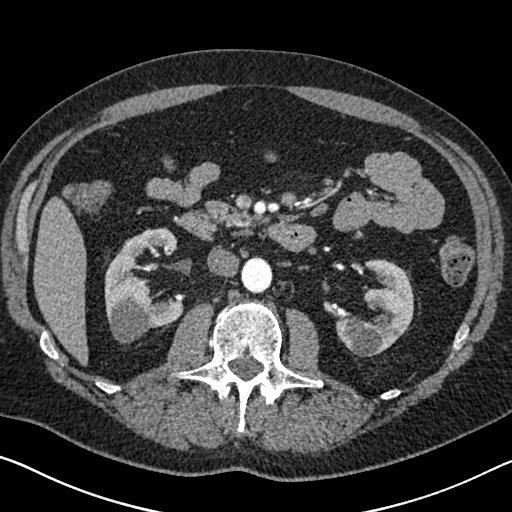
One axial slice (378 of 626, counting up from the lowest) of an arterial-phase abdominal CT acquired with 120 kVp, kernel I30f; each pixel is 0.703 mm and the slice is 1.00 mm thick.
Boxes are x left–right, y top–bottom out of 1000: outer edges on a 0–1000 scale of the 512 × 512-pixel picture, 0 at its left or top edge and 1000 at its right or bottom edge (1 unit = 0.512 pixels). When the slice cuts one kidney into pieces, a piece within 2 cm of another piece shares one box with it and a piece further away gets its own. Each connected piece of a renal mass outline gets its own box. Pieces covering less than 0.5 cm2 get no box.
Boxed on this slice (two kidney boxes), listed by box centre from the image's left to its right: (1) Right kidney, box x 203–359, y 443–672 out of 1000 (outlined area 5,793 px, about 28.6 cm2). (2) Left kidney, box x 654–809, y 506–697 out of 1000 (outlined area 4,580 px, about 22.6 cm2). No renal mass outline on this slice.